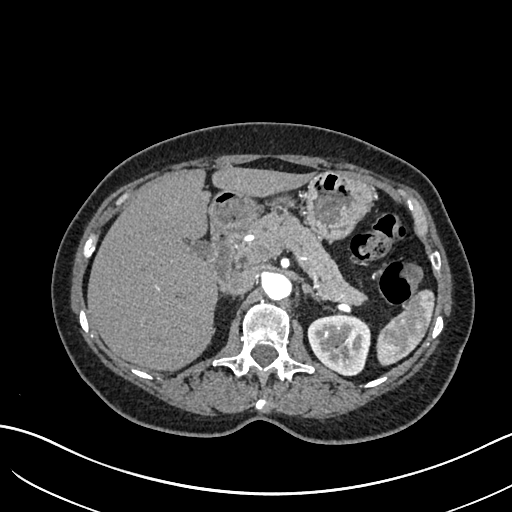
One axial slice (440 of 683, counting up from the lowest) of an arterial-phase abdominal CT acquired with 120 kVp, kernel I30f; each pixel is 0.738 mm and the slice is 1.00 mm thick.
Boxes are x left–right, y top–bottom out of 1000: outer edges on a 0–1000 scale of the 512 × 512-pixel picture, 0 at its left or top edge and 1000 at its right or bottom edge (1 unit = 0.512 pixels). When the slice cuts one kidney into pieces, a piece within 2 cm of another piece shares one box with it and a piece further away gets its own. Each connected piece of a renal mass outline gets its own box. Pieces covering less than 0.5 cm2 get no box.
Left kidney at x 600–725, y 615–736 out of 1000 (outlined area 3,052 px, about 16.6 cm2). This slice carries no renal mass outline.